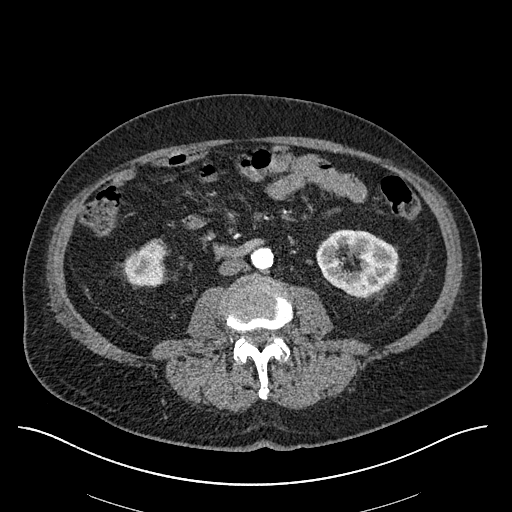
One axial slice (257 of 670, counting up from the lowest) of an arterial-phase abdominal CT acquired with 120 kVp, kernel I30f; each pixel is 0.861 mm and the slice is 1.00 mm thick.
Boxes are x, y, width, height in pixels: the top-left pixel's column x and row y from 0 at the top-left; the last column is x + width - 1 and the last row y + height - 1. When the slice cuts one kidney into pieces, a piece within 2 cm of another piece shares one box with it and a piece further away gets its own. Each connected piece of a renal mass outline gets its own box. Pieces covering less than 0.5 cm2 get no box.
Two boxes on this slice (two kidney boxes), listed by box centre from the image's left to its right. (1) Right kidney at x 123, y 238, width 44, height 49 (outlined area 1,594 px, about 11.8 cm2). (2) Left kidney, box x 316, y 229, width 82, height 69 (outlined area 4,116 px, about 30.5 cm2). No renal mass outline on this slice.